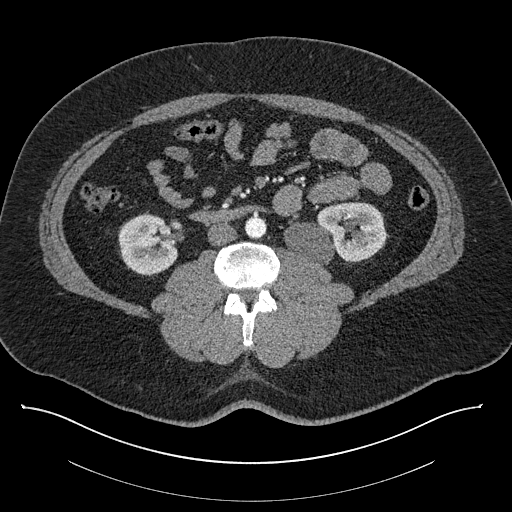
Axial slice 418 of 787 of a contrast-enhanced abdominal CT (slice 1 is the lowest), 140 kVp, kernel I30f; 1.00 mm slice thickness and 0.910 mm pixels.
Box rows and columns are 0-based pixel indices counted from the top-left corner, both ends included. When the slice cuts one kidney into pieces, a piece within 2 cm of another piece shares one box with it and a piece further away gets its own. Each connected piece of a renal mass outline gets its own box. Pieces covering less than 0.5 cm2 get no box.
Two boxes on this slice (two kidney boxes), listed by box centre from the image's left to its right. (1) Right kidney, box rows 214–276, columns 118–181 (outlined area 2,925 px, about 24.2 cm2). (2) Left kidney at rows 202–266, columns 283–386 (outlined area 4,783 px, about 39.6 cm2). No renal mass outline on this slice.